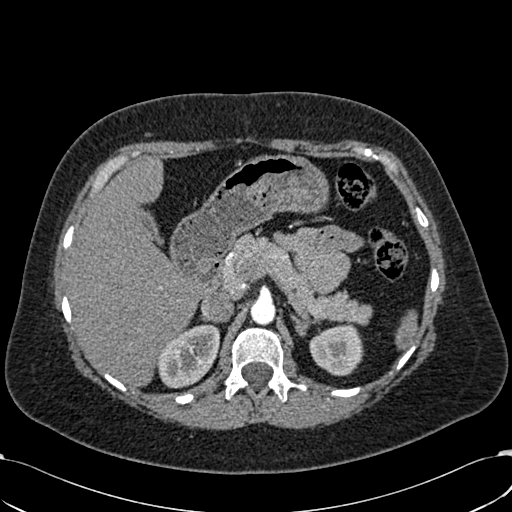
Axial slice 432 of 532 of a contrast-enhanced abdominal CT in the arterial phase (slice 1 is the lowest), 120 kVp, kernel B30f; 1.00 mm slice thickness and 0.713 mm pixels.
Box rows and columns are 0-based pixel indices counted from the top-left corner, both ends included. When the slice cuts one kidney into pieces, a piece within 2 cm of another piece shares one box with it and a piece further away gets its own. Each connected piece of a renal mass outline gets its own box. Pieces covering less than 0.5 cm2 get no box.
Boxed on this slice (two kidney boxes), listed by box centre from the image's left to its right: (1) Box rows 324–388, columns 156–219: right kidney (outlined area 2,949 px, about 15.0 cm2). (2) Left kidney, box rows 323–375, columns 309–363 (outlined area 2,163 px, about 11.0 cm2). This slice carries no renal mass outline.